One axial slice (391 of 527, counting up from the lowest) of an arterial-phase abdominal CT acquired with 120 kVp, kernel I30f; each pixel is 0.859 mm and the slice is 1.00 mm thick.
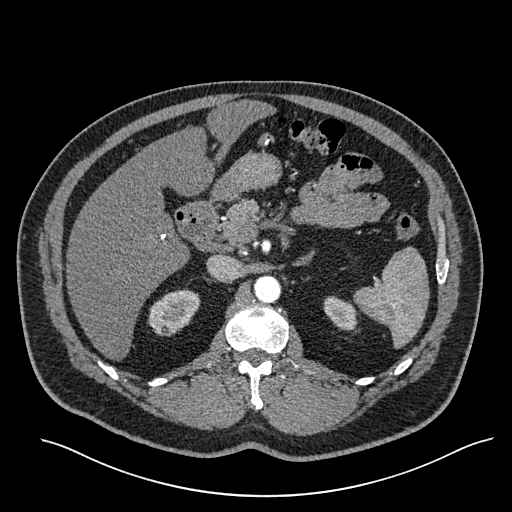
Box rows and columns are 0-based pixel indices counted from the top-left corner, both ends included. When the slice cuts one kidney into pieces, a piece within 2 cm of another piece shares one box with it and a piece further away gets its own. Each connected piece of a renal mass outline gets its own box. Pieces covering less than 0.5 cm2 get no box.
Two kidney boxes on this slice; by box centre, from the image's left to its right: (1) Right kidney, box rows 288–336, columns 147–200 (outlined area 1,752 px, about 12.9 cm2). (2) Left kidney at rows 296–330, columns 323–357 (outlined area 842 px, about 6.2 cm2). This slice carries no renal mass outline.